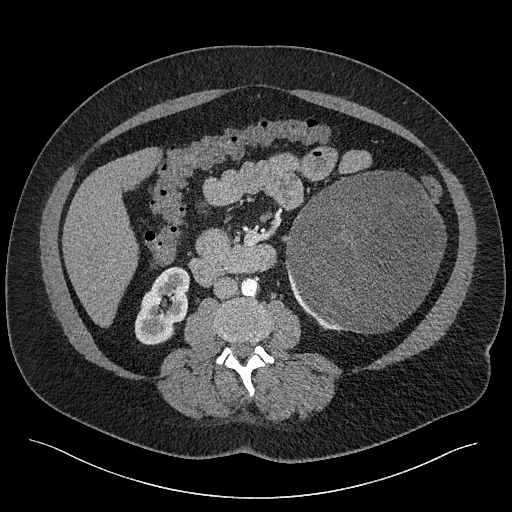
Abdominal CT with intravenous contrast, axial plane, 120 kVp, kernel I40f. Slice 105/301 from the bottom of the scan; thickness 2.00 mm; pixel size 0.859 mm.
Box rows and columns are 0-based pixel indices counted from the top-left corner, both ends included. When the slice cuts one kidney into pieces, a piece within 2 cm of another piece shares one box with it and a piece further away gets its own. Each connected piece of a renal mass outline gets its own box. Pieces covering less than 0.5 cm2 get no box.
Two kidney boxes and one renal mass box on this slice; by box centre, from the image's left to its right: (1) Box rows 266–344, columns 134–189: right kidney (outlined area 3,003 px, about 22.2 cm2). (2) Left kidney at rows 269–331, columns 287–341 (outlined area 343 px, about 2.5 cm2). (3) Left renal mass at rows 170–334, columns 285–446 (outlined area 19,979 px, about 147.5 cm2).